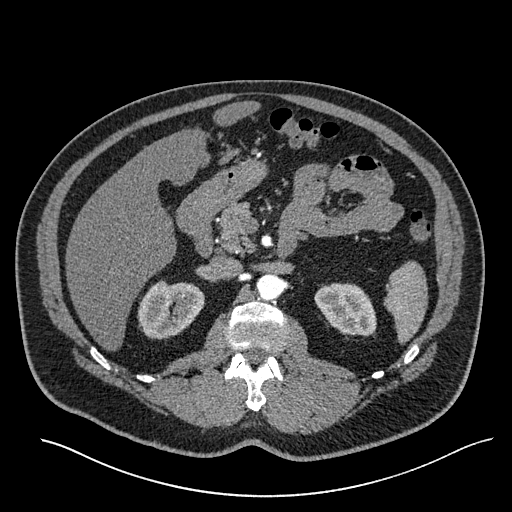
Arterial-phase contrast-enhanced abdominal CT, axial slice 369 of 527 (counted from the lowest slice); tube voltage 120 kVp, convolution kernel I30f; slices 1.00 mm thick, 0.859 mm per pixel.
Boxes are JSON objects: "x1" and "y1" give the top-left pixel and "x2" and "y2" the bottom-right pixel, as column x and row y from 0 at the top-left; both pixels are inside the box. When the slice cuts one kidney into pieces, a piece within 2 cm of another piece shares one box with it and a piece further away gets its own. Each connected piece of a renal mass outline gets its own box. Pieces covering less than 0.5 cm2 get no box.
Boxed on this slice (two kidney boxes), listed by box centre from the image's left to its right: (1) Box {"x1": 137, "y1": 280, "x2": 204, "y2": 339}: right kidney (outlined area 2,972 px, about 21.9 cm2). (2) Box {"x1": 314, "y1": 283, "x2": 376, "y2": 339}: left kidney (outlined area 2,516 px, about 18.6 cm2). This slice carries no renal mass outline.